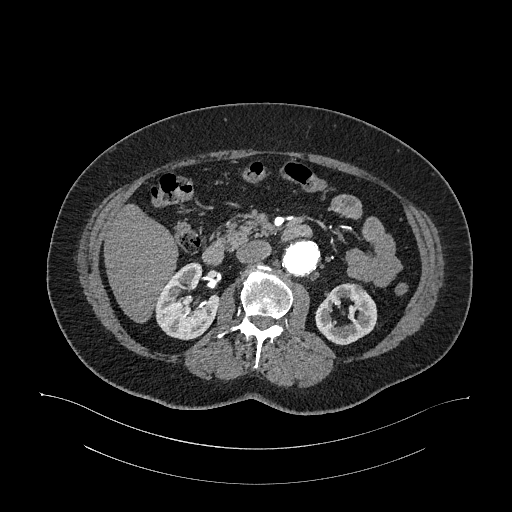
One axial slice (643 of 987, counting up from the lowest) of an arterial-phase abdominal CT acquired with 120 kVp, kernel I26f; each pixel is 0.977 mm and the slice is 1.00 mm thick.
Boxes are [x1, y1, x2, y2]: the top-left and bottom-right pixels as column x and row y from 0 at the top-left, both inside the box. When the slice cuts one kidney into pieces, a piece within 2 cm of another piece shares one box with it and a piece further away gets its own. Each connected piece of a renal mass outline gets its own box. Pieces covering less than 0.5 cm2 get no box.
Two boxes on this slice (two kidney boxes), listed by box centre from the image's left to its right. (1) Right kidney at [155, 262, 218, 340] (outlined area 3,357 px, about 32.0 cm2). (2) Box [315, 283, 377, 344]: left kidney (outlined area 2,619 px, about 25.0 cm2). No renal mass outline on this slice.